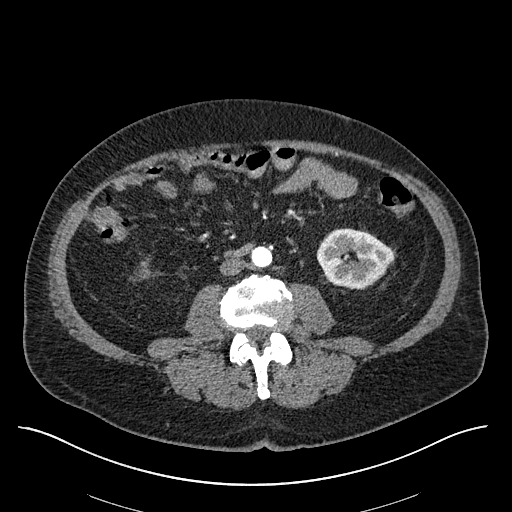
Arterial-phase contrast-enhanced abdominal CT, axial slice 243 of 670 (counted from the lowest slice); tube voltage 120 kVp, convolution kernel I30f; slices 1.00 mm thick, 0.861 mm per pixel.
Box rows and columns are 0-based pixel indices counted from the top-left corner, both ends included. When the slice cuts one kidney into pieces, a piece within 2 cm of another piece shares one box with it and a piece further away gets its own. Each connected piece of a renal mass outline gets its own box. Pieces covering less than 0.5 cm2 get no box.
Two kidney boxes on this slice; by box centre, from the image's left to its right: (1) Right kidney, box rows 261–276, columns 136–149 (outlined area 131 px, about 1.0 cm2). (2) Box rows 228–288, columns 316–393: left kidney (outlined area 3,454 px, about 25.6 cm2). No renal mass outline on this slice.